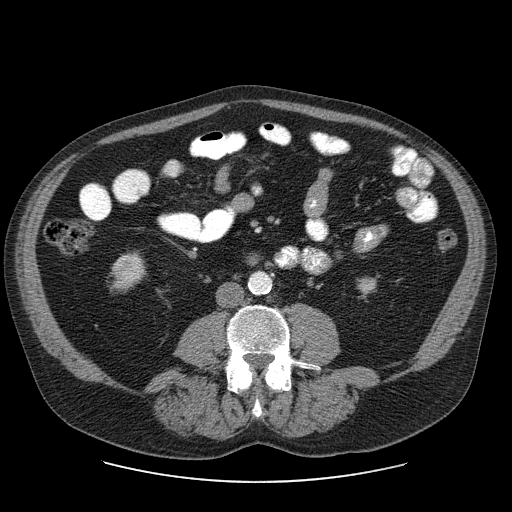
Axial slice 15 of 103 of a contrast-enhanced abdominal CT (slice 1 is the lowest), 120 kVp, kernel STANDARD; 2.50 mm slice thickness and 0.820 mm pixels.
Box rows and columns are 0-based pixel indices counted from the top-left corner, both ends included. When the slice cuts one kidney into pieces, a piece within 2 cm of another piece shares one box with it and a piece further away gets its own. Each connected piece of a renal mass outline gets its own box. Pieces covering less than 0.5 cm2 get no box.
Two boxes on this slice (two kidney boxes), listed by box centre from the image's left to its right. (1) Right kidney, box rows 251–289, columns 110–144 (outlined area 1,001 px, about 6.7 cm2). (2) Left kidney at rows 276–295, columns 358–376 (outlined area 289 px, about 1.9 cm2). This slice carries no renal mass outline.